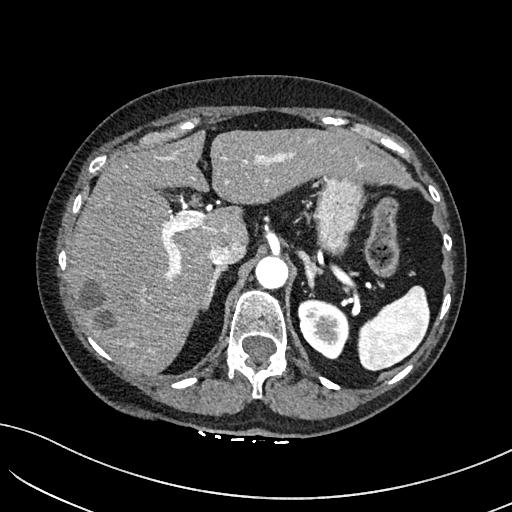
Abdominal CT with intravenous contrast, arterial phase, axial plane, 100 kVp, kernel I40f. Slice 122/234 from the bottom of the scan; thickness 2.00 mm; pixel size 0.699 mm.
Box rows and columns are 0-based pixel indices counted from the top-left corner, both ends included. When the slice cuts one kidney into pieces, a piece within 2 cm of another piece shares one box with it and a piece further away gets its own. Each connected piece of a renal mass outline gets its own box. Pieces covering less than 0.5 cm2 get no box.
Left kidney at rows 299–359, columns 297–348 (outlined area 2,322 px, about 11.4 cm2). This slice carries no renal mass outline.